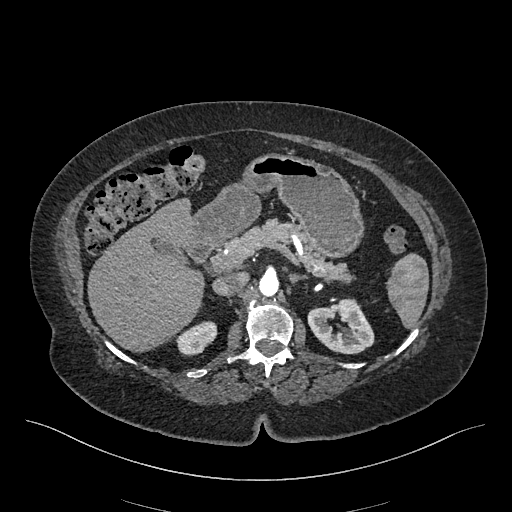
Axial slice 309 of 548 of a contrast-enhanced abdominal CT in the arterial phase (slice 1 is the lowest), 120 kVp, kernel I26f; 1.00 mm slice thickness and 0.852 mm pixels.
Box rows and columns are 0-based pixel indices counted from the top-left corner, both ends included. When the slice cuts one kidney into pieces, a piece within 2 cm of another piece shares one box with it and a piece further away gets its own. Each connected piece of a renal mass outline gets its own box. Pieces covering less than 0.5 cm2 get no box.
Two kidney boxes on this slice; by box centre, from the image's left to its right: (1) Right kidney, box rows 321–355, columns 176–217 (outlined area 991 px, about 7.2 cm2). (2) Box rows 298–354, columns 307–374: left kidney (outlined area 2,618 px, about 19.0 cm2). No renal mass outline on this slice.